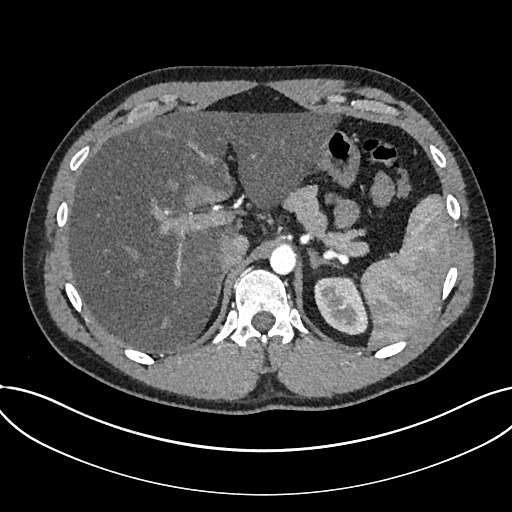
One axial slice (561 of 735, counting up from the lowest) of an arterial-phase abdominal CT acquired with 120 kVp, kernel I30f; each pixel is 0.789 mm and the slice is 1.00 mm thick.
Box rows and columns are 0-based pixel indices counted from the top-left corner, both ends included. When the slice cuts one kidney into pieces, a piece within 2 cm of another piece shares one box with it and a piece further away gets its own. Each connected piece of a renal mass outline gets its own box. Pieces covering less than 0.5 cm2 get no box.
Box rows 276–335, columns 314–367: kidney (outlined area 2,398 px, about 14.9 cm2). No renal mass outline on this slice.